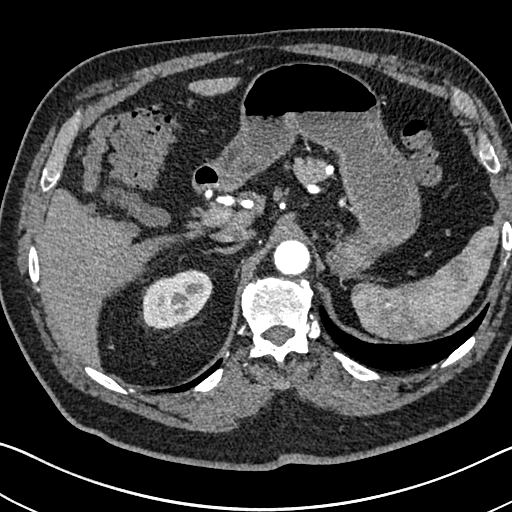
Abdominal CT with intravenous contrast, arterial phase, axial plane, 120 kVp, kernel I30f. Slice 540/705 from the bottom of the scan; thickness 1.00 mm; pixel size 0.703 mm.
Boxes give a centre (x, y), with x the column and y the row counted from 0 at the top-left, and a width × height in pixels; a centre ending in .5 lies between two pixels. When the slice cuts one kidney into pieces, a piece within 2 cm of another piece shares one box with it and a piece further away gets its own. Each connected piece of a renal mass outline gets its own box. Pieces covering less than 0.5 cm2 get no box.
Right kidney, box centre (176, 299.5), 75 × 62 pixels (outlined area 3,216 px, about 15.9 cm2). This slice carries no renal mass outline.